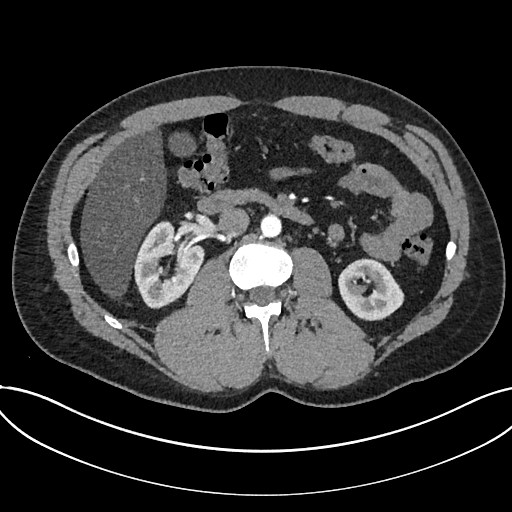
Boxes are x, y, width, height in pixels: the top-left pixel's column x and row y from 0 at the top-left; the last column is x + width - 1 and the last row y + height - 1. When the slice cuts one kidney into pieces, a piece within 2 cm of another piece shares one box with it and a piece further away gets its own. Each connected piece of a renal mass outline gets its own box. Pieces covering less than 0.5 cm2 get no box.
This is axial slice 400 of 735 (slice 1 is the lowest) of an arterial-phase abdominal CT with contrast; each pixel is 0.789 mm and the slice is 1.00 mm thick. Boxed on this slice (two kidney boxes), listed by box centre from the image's left to its right: (1) Box x 133, y 221, width 72, height 88: kidney (outlined area 4,200 px, about 26.2 cm2). (2) Kidney at x 338, y 258, width 67, height 63 (outlined area 3,000 px, about 18.7 cm2). No renal mass is outlined on this slice.
Scan settings: 120 kVp, I30f reconstruction kernel.